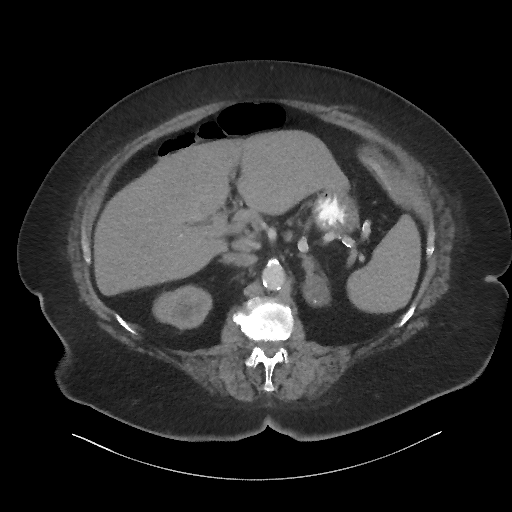
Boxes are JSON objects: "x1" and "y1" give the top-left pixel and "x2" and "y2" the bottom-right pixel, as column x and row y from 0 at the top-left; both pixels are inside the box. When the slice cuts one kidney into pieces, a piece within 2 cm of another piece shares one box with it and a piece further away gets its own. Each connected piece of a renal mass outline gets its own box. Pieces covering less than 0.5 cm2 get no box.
Contrast-enhanced abdominal CT, axial slice 48 of 86 (counted from the lowest slice); 3.00 mm thick, 0.977 mm per pixel. Box {"x1": 152, "y1": 285, "x2": 212, "y2": 330}: right kidney (outlined area 1,974 px, about 18.8 cm2). This slice carries no renal mass outline.
Acquired at 140 kVp and reconstructed with the I44f kernel.